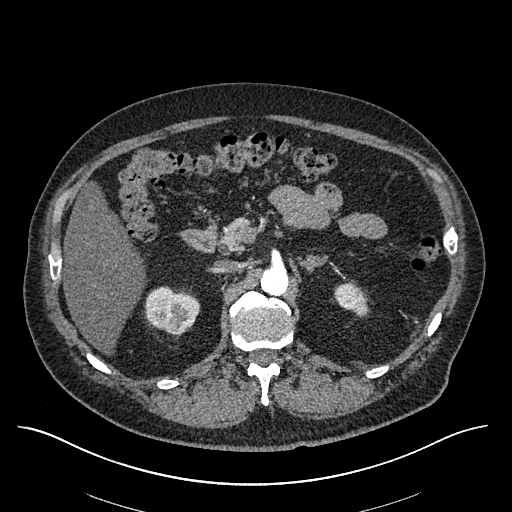
One axial slice (390 of 670, counting up from the lowest) of an arterial-phase abdominal CT acquired with 120 kVp, kernel I30f; each pixel is 0.861 mm and the slice is 1.00 mm thick.
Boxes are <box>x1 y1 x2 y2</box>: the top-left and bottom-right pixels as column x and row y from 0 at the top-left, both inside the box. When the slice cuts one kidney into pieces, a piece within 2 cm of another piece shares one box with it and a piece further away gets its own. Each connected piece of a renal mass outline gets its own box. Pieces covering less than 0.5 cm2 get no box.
Two kidney boxes on this slice; by box centre, from the image's left to its right: (1) Right kidney at <box>144 286 199 334</box> (outlined area 1,968 px, about 14.6 cm2). (2) Left kidney: <box>334 282 367 314</box> (outlined area 764 px, about 5.7 cm2). This slice carries no renal mass outline.